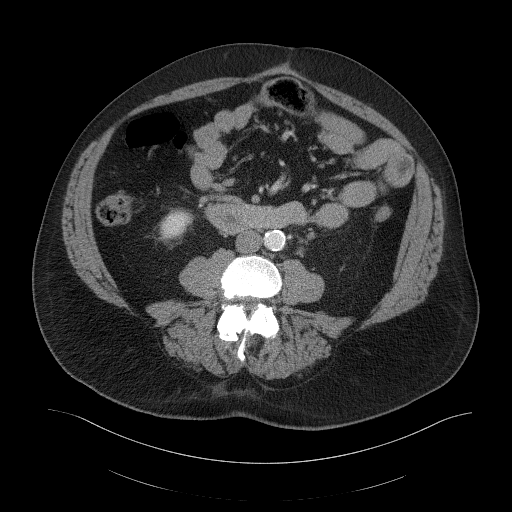
Axial slice 57 of 103 of a contrast-enhanced abdominal CT in the arterial phase (slice 1 is the lowest), 120 kVp, kernel B41f; 5.00 mm slice thickness and 0.951 mm pixels.
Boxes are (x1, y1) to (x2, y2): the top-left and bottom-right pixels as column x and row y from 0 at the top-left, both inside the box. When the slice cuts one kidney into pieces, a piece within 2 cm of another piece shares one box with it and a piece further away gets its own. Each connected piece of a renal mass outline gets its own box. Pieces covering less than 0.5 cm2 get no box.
Right kidney, box (158, 208) to (193, 239) (outlined area 817 px, about 7.4 cm2). No renal mass outline on this slice.